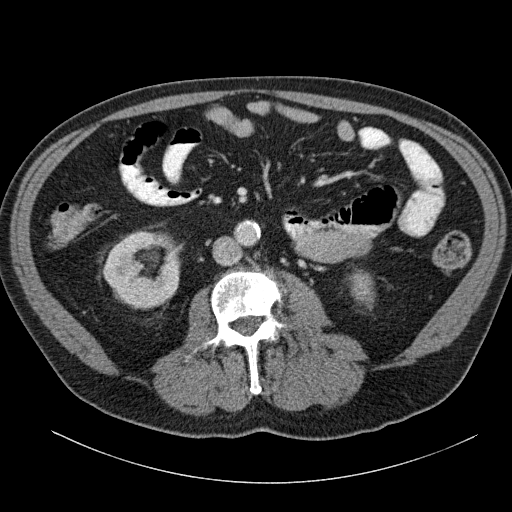
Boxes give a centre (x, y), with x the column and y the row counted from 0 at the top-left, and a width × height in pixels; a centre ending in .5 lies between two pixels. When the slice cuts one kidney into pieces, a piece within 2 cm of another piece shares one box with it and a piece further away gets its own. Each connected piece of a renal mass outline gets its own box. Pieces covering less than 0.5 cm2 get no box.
This is axial slice 63 of 140 (slice 1 is the lowest) of an arterial-phase abdominal CT with contrast; each pixel is 0.754 mm and the slice is 5.00 mm thick. Boxed on this slice (two kidney boxes), listed by box centre from the image's left to its right: (1) Box centre (141, 270), 77 × 79 pixels: right kidney (outlined area 4,589 px, about 26.1 cm2). (2) Left kidney, box centre (361, 286), 21 × 33 pixels (outlined area 559 px, about 3.2 cm2). No renal mass is outlined on this slice.
Acquired at 120 kVp and reconstructed with the B31f kernel.